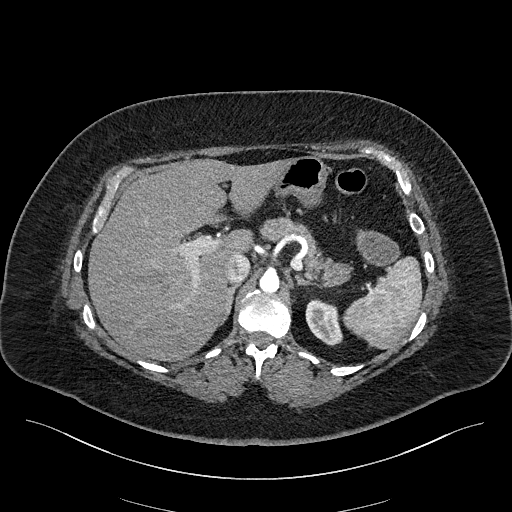
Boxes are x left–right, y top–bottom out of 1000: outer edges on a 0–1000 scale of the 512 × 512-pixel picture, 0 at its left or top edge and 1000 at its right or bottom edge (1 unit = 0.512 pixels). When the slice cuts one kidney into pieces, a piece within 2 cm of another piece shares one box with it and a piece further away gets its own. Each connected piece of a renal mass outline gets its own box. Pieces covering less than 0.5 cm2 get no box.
Slice 160/270 of a contrast-enhanced abdominal CT in the arterial phase, counting up from the lowest; pixel size 0.855 mm, slice thickness 2.00 mm. Left kidney at x 596–670, y 584–676 out of 1000 (outlined area 1,282 px, about 9.4 cm2). This slice carries no renal mass outline.
Acquired at 100 kVp and reconstructed with the I40f kernel.